Abdominal CT with intravenous contrast, arterial phase, axial plane, 120 kVp, kernel B30f. Slice 294/538 from the bottom of the scan; thickness 1.00 mm; pixel size 0.811 mm.
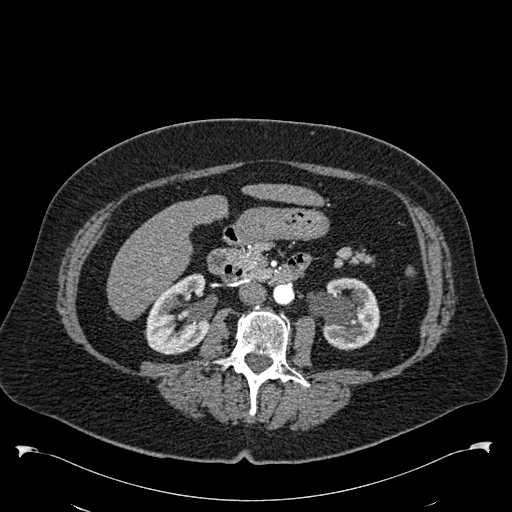
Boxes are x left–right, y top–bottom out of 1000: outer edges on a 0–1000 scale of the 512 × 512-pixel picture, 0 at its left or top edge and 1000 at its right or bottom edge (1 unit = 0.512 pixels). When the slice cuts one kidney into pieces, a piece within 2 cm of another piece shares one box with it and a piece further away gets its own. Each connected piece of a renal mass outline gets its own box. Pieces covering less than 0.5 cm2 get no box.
Boxed on this slice (two kidney boxes), listed by box centre from the image's left to its right: (1) Box x 281–408, y 533–693 out of 1000: right kidney (outlined area 3,717 px, about 24.4 cm2). (2) Left kidney, box x 604–744, y 541–686 out of 1000 (outlined area 3,719 px, about 24.4 cm2). No renal mass is outlined on this slice.